Contrast-enhanced abdominal CT, axial slice 148 of 274 (counted from the lowest slice); tube voltage 120 kVp, convolution kernel B31f; slices 2.00 mm thick, 0.977 mm per pixel.
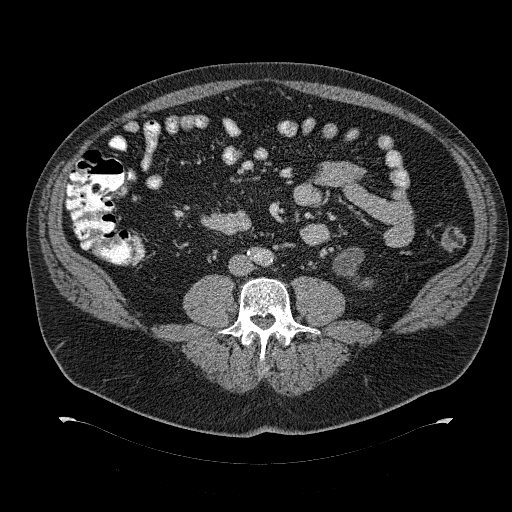
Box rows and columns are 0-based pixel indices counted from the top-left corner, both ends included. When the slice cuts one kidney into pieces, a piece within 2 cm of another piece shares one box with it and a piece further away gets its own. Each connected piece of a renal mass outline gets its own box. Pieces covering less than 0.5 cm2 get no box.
Left kidney at rows 247–288, columns 332–373 (outlined area 780 px, about 7.4 cm2). No renal mass is outlined on this slice.